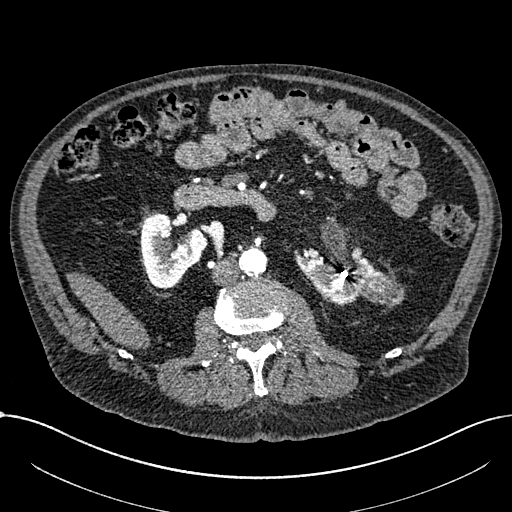
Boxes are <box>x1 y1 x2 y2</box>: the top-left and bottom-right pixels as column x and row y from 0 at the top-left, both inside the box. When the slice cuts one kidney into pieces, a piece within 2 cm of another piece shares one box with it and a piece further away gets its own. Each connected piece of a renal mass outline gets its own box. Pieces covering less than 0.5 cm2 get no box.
Arterial-phase contrast-enhanced abdominal CT, axial slice 365 of 1059 (counted from the lowest slice); 1.00 mm thick, 0.811 mm per pixel. Boxed on this slice (two kidney boxes and one renal mass box), listed by box centre from the image's left to its right: (1) Right part of the midline-crossing kidney: <box>141 214 207 289</box> (outlined area 3,407 px, about 22.4 cm2). (2) Left part of the midline-crossing kidney: <box>294 248 387 305</box> (outlined area 2,893 px, about 19.0 cm2). (3) At <box>358 275 404 304</box>: renal mass (outlined area 1,094 px, about 7.2 cm2).
Acquired at 100 kVp and reconstructed with the I30f kernel.